One axial slice (200 of 304, counting up from the lowest) of an arterial-phase abdominal CT acquired with 100 kVp, kernel I30f; each pixel is 0.809 mm and the slice is 2.00 mm thick.
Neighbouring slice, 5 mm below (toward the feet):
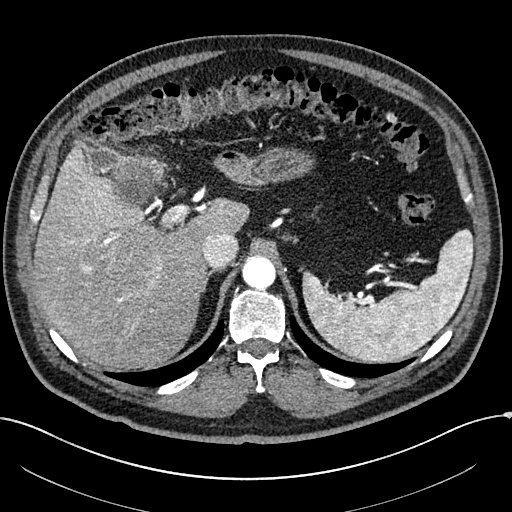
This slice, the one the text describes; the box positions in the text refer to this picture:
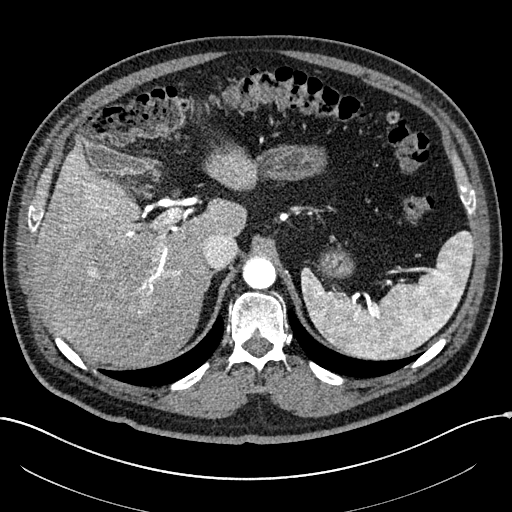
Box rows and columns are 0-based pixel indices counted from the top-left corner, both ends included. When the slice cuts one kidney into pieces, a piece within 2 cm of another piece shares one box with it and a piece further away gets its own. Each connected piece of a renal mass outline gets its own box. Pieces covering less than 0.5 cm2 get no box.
Box rows 174–193, columns 128–142: right renal mass (outlined area 163 px, about 1.1 cm2); no kidney is outlined on this slice, but the same outlined renal mass comes within 1 cm of the kidney on another slice. This slice is near the end of the right renal mass toward the head, so the slice 5 mm below it is shown as well; the boxes refer to this slice only.